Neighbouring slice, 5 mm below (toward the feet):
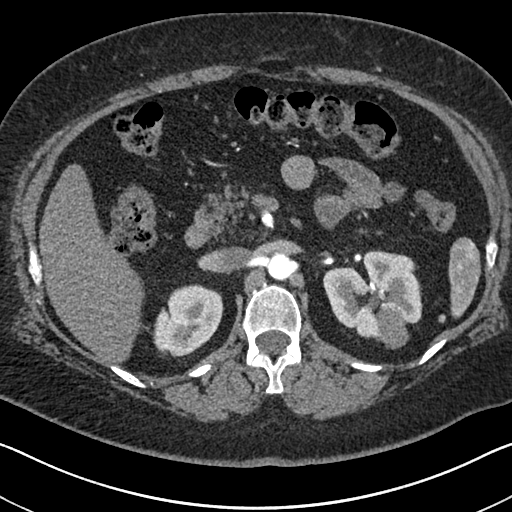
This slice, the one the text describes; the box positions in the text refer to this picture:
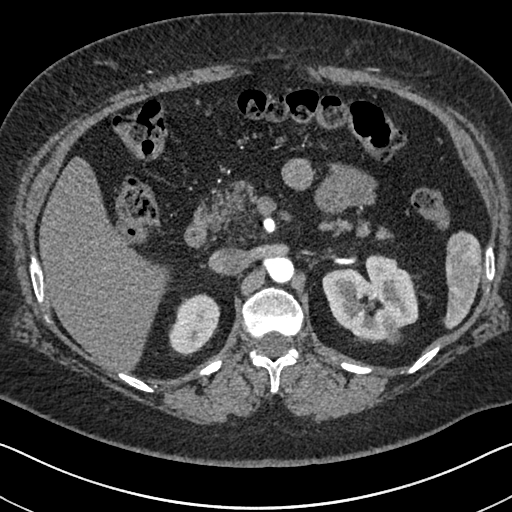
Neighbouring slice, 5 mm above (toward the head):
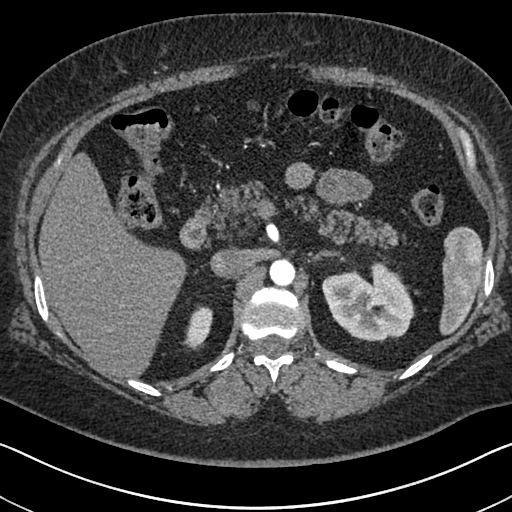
Arterial-phase contrast-enhanced abdominal CT, axial slice 455 of 591 (counted from the lowest slice); tube voltage 140 kVp, convolution kernel I30f; slices 1.00 mm thick, 0.703 mm per pixel.
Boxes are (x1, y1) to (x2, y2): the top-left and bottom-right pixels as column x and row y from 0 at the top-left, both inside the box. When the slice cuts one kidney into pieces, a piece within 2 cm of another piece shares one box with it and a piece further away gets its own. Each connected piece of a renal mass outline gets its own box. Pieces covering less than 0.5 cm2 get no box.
Three boxes on this slice (two kidney boxes and one renal mass box), listed by box centre from the image's left to its right. (1) Right kidney, box (168, 293) to (220, 355) (outlined area 2,286 px, about 11.3 cm2). (2) Box (322, 254) to (418, 340): left kidney (outlined area 5,788 px, about 28.6 cm2). (3) Left renal mass, box (385, 322) to (400, 343) (outlined area 252 px, about 1.2 cm2). This slice is near the end of the left renal mass toward the head, so the slices 5 mm below and 5 mm above it are shown as well; the boxes refer to this slice only.